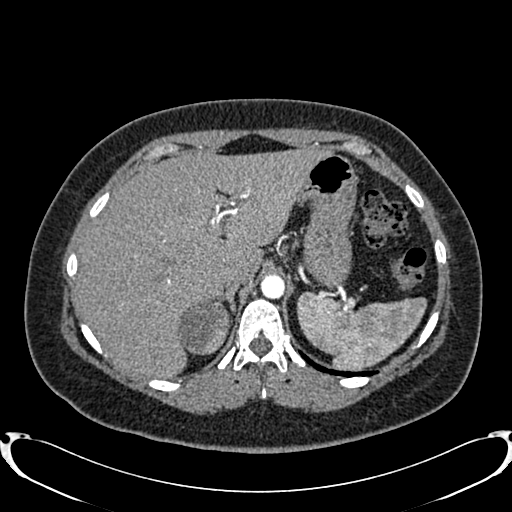
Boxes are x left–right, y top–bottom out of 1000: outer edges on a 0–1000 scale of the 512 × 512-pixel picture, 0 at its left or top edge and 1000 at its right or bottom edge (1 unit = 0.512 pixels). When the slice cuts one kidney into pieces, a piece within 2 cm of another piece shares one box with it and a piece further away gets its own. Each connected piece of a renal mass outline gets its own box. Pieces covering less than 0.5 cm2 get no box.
Slice 624/719 of a contrast-enhanced abdominal CT in the arterial phase, counting up from the lowest; pixel size 0.766 mm, slice thickness 1.00 mm. Right renal mass, box x 346–453, y 582–693 out of 1000 (outlined area 2,350 px, about 13.8 cm2); no kidney is outlined on this slice, but the same outlined renal mass comes within 1 cm of the kidney on another slice.
Acquired at 120 kVp and reconstructed with the B20f kernel.